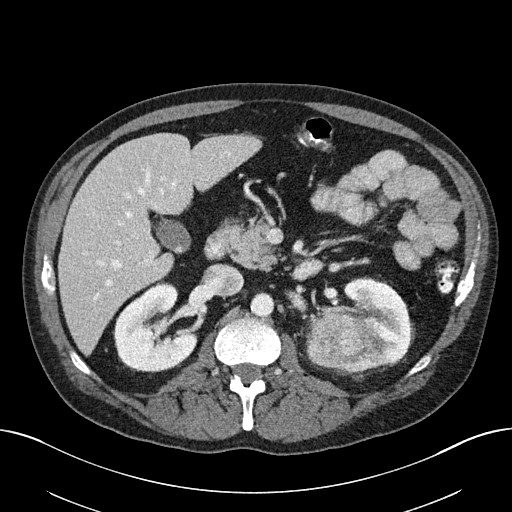
Axial slice 114 of 163 of a contrast-enhanced abdominal CT (slice 1 is the lowest), 100 kVp, kernel I40f; 3.00 mm slice thickness and 0.799 mm pixels.
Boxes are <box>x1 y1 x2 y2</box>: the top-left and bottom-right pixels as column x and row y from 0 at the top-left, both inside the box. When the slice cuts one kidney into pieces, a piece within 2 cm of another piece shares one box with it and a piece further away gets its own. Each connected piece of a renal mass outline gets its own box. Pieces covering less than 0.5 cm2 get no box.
Boxed on this slice (two kidney boxes and one renal mass box), listed by box centre from the image's left to its right: (1) Right kidney: <box>114 282 196 371</box> (outlined area 5,123 px, about 32.7 cm2). (2) At <box>307 313 363 368</box>: left renal mass (outlined area 2,355 px, about 15.0 cm2). (3) Left kidney: <box>313 278 410 372</box> (outlined area 4,989 px, about 31.8 cm2).